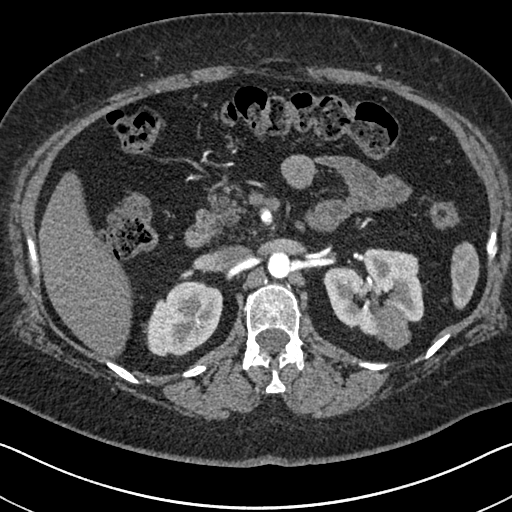
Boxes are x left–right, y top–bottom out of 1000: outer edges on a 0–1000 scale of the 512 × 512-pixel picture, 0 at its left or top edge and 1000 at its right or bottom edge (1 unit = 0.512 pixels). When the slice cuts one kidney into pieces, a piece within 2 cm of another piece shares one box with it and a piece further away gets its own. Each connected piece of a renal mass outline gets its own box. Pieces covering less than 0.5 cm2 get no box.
This is axial slice 439 of 591 (slice 1 is the lowest) of an arterial-phase abdominal CT with contrast; each pixel is 0.703 mm and the slice is 1.00 mm thick. Three boxes on this slice (two kidney boxes and one renal mass box), listed by box centre from the image's left to its right. (1) Box x 279–438, y 549–697 out of 1000: right kidney (outlined area 4,399 px, about 21.7 cm2). (2) Left kidney at x 631–830, y 484–658 out of 1000 (outlined area 5,691 px, about 28.1 cm2). (3) Left renal mass at x 729–805, y 596–684 out of 1000 (outlined area 1,249 px, about 6.2 cm2).
Acquired at 140 kVp and reconstructed with the I30f kernel.